One axial slice (136 of 326, counting up from the lowest) of an arterial-phase abdominal CT acquired with 120 kVp, kernel B31f; each pixel is 0.963 mm and the slice is 2.00 mm thick.
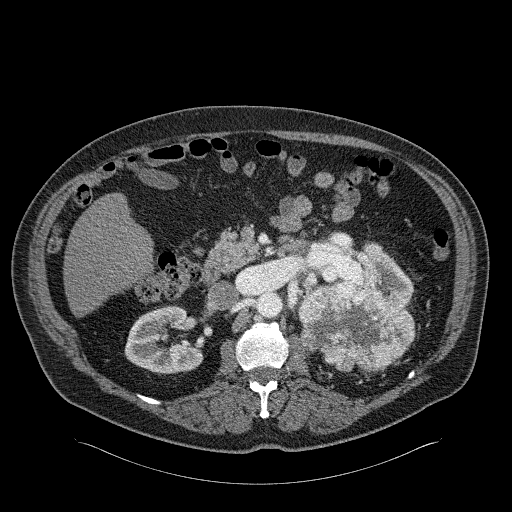
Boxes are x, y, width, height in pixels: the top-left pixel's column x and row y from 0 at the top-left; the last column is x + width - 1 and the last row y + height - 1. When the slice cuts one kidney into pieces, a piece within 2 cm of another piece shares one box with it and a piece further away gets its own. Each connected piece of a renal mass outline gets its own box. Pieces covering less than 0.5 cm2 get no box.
Three boxes on this slice (two kidney boxes and one renal mass box), listed by box centre from the image's left to its right. (1) Right kidney, box x 125, y 305, width 79, height 70 (outlined area 3,826 px, about 35.5 cm2). (2) Left renal mass at x 298, y 271, width 118, height 103 (outlined area 8,311 px, about 77.1 cm2). (3) Left kidney at x 316, y 243, width 99, height 66 (outlined area 2,592 px, about 24.0 cm2).